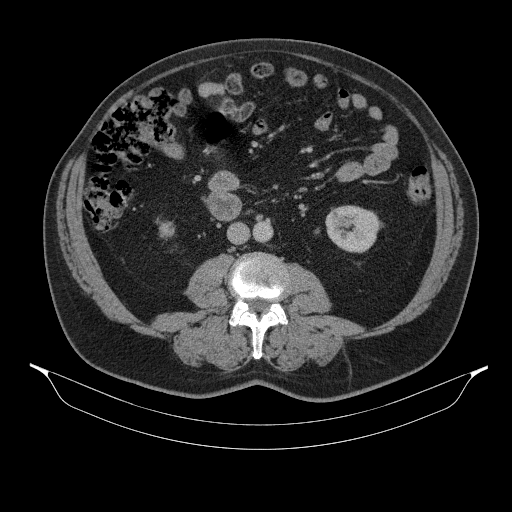
Contrast-enhanced abdominal CT, axial slice 171 of 314 (counted from the lowest slice); tube voltage 130 kVp, convolution kernel B31s; slices 2.50 mm thick, 0.934 mm per pixel.
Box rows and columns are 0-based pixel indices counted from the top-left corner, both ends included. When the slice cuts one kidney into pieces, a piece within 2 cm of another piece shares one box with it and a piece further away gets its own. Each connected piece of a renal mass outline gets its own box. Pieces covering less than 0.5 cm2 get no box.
Boxed on this slice (two kidney boxes), listed by box centre from the image's left to its right: (1) Right kidney at rows 222–238, columns 159–174 (outlined area 225 px, about 2.0 cm2). (2) Box rows 205–253, columns 325–383: left kidney (outlined area 2,094 px, about 18.3 cm2). No renal mass is outlined on this slice.